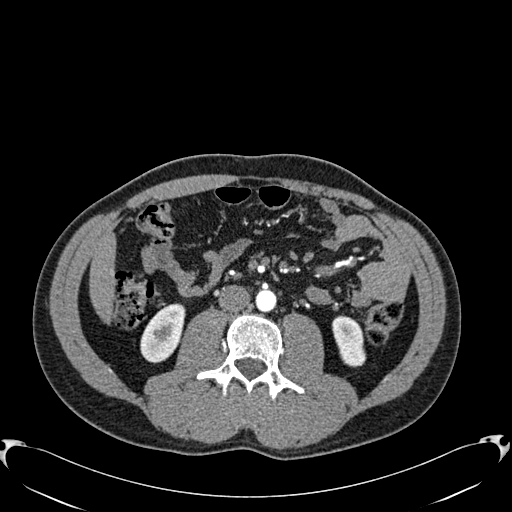
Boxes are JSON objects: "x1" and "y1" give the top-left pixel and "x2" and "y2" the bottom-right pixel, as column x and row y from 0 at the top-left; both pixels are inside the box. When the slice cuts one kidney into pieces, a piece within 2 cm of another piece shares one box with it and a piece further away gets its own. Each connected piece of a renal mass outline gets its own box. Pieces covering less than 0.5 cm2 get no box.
Arterial-phase contrast-enhanced abdominal CT, axial slice 283 of 512 (counted from the lowest slice); 1.00 mm thick, 0.771 mm per pixel. Two boxes on this slice (two kidney boxes), listed by box centre from the image's left to its right. (1) Right kidney, box {"x1": 140, "y1": 303, "x2": 185, "y2": 363} (outlined area 1,932 px, about 11.5 cm2). (2) Left kidney, box {"x1": 332, "y1": 315, "x2": 366, "y2": 367} (outlined area 1,321 px, about 7.9 cm2). No renal mass is outlined on this slice.
Scan settings: 120 kVp, B30f reconstruction kernel.